Contrast-enhanced abdominal CT, axial slice 73 of 103 (counted from the lowest slice); tube voltage 100 kVp, convolution kernel I41f; slices 4.00 mm thick, 0.742 mm per pixel.
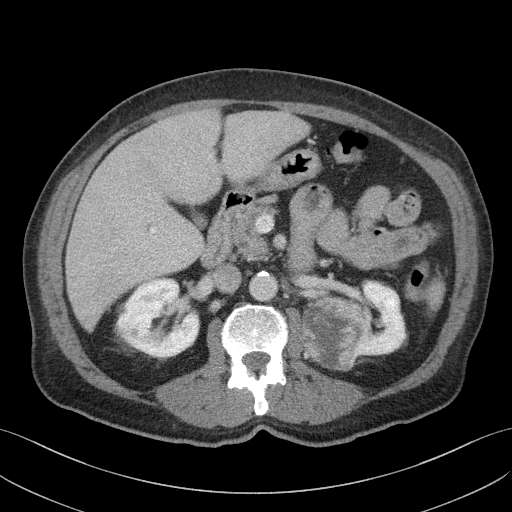
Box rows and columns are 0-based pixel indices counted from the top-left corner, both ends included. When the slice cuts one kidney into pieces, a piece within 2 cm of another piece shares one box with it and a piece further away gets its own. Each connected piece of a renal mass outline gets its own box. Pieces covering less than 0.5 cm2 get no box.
Boxed on this slice (two kidney boxes and one renal mass box), listed by box centre from the image's left to its right: (1) Right kidney at rows 278–357, columns 115–200 (outlined area 4,966 px, about 27.4 cm2). (2) Left renal mass, box rows 296–371, columns 301–371 (outlined area 4,068 px, about 22.4 cm2). (3) Left kidney at rows 279–356, columns 326–406 (outlined area 2,890 px, about 15.9 cm2).